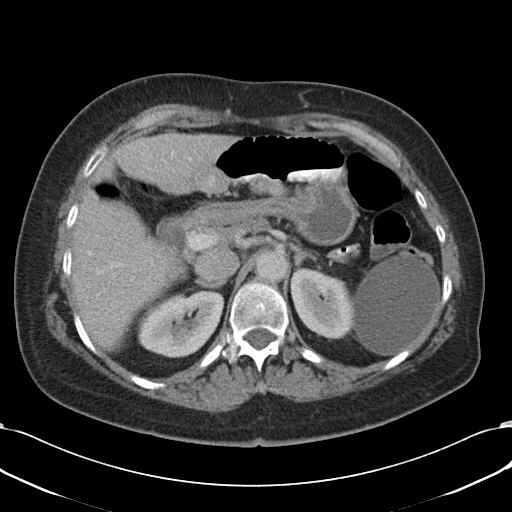
One axial slice (70 of 90, counting up from the lowest) of a contrast-enhanced abdominal CT acquired with 120 kVp, kernel B31f; each pixel is 0.707 mm and the slice is 5.00 mm thick.
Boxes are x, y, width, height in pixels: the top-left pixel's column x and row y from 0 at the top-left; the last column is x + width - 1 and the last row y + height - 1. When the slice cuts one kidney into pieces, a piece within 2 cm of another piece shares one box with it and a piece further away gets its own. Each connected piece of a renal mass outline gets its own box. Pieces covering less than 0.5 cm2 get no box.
Two kidney boxes on this slice; by box centre, from the image's left to its right: (1) Right kidney, box x 140, y 290, width 85, height 67 (outlined area 3,847 px, about 19.2 cm2). (2) Box x 290, y 268, width 61, height 70: left kidney (outlined area 3,037 px, about 15.2 cm2). No renal mass outline on this slice.